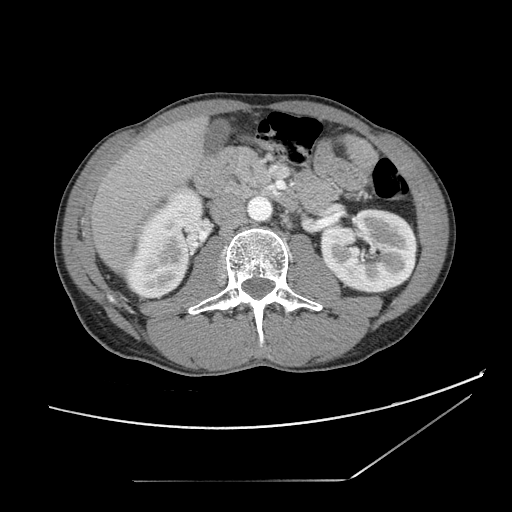
Axial slice 59 of 121 of a contrast-enhanced abdominal CT (slice 1 is the lowest), 120 kVp, kernel STANDARD; 2.50 mm slice thickness and 0.742 mm pixels.
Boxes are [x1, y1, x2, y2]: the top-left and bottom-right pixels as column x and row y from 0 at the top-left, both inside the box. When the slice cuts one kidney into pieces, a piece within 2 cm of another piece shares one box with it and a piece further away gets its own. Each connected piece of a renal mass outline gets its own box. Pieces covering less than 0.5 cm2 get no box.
Boxed on this slice (two kidney boxes), listed by box centre from the image's left to its right: (1) Box [124, 183, 205, 297]: right kidney (outlined area 5,405 px, about 29.8 cm2). (2) Box [320, 208, 417, 294]: left kidney (outlined area 6,533 px, about 36.0 cm2). No renal mass is outlined on this slice.